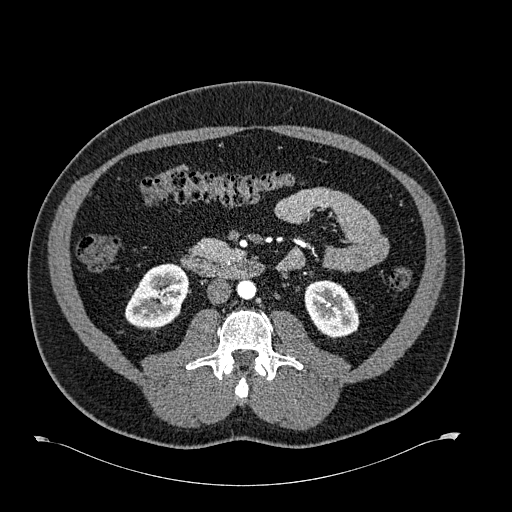
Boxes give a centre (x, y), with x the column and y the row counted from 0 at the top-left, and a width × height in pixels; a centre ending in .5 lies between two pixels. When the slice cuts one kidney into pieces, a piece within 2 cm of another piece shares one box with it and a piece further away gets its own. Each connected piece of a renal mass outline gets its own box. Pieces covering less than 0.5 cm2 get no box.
Slice 313/723 of a contrast-enhanced abdominal CT in the arterial phase, counting up from the lowest; pixel size 0.895 mm, slice thickness 1.00 mm. Boxed on this slice (two kidney boxes), listed by box centre from the image's left to its right: (1) Right kidney, box centre (155.5, 295.5), 64 × 66 pixels (outlined area 3,033 px, about 24.3 cm2). (2) Left kidney, box centre (331.5, 309), 56 × 59 pixels (outlined area 2,432 px, about 19.5 cm2). This slice carries no renal mass outline.
Tube voltage 120 kVp; convolution kernel B30f.